Axial slice 412 of 787 of a contrast-enhanced abdominal CT (slice 1 is the lowest), 140 kVp, kernel I30f; 1.00 mm slice thickness and 0.910 mm pixels.
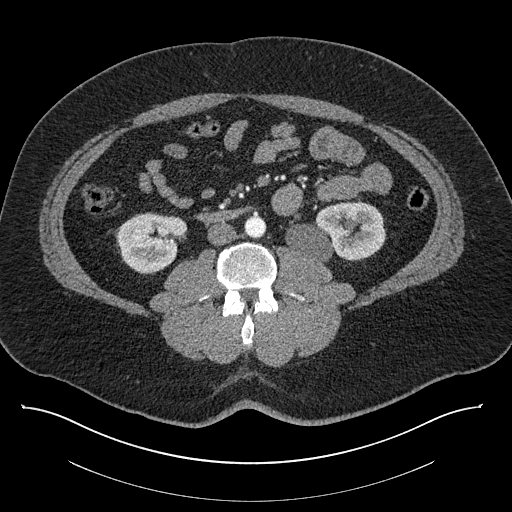
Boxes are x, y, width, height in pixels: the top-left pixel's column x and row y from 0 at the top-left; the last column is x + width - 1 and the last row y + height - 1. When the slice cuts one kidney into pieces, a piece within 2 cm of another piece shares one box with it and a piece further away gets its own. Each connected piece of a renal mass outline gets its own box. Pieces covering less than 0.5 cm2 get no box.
Two boxes on this slice (two kidney boxes), listed by box centre from the image's left to its right. (1) Right kidney at x 116, y 212, width 73, height 61 (outlined area 3,272 px, about 27.1 cm2). (2) Box x 285, y 201, width 101, height 62: left kidney (outlined area 4,511 px, about 37.4 cm2). No renal mass is outlined on this slice.